One axial slice (486 of 591, counting up from the lowest) of an arterial-phase abdominal CT acquired with 140 kVp, kernel I30f; each pixel is 0.703 mm and the slice is 1.00 mm thick.
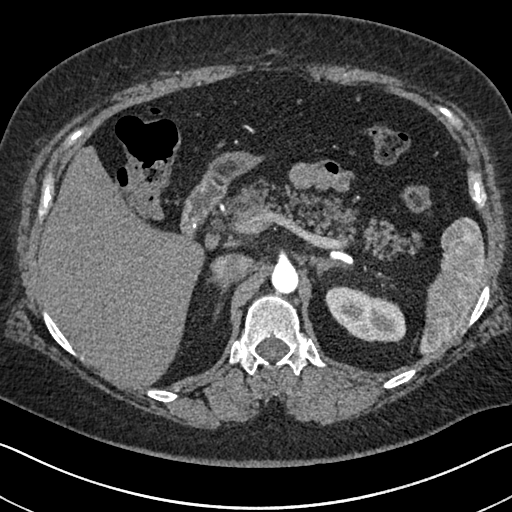
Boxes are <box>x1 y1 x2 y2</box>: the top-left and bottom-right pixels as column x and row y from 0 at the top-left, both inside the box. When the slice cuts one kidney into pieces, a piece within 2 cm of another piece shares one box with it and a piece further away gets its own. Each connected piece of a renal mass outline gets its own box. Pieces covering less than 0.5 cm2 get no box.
At <box>325 286 406 342</box>: left kidney (outlined area 3,225 px, about 15.9 cm2). No renal mass outline on this slice.